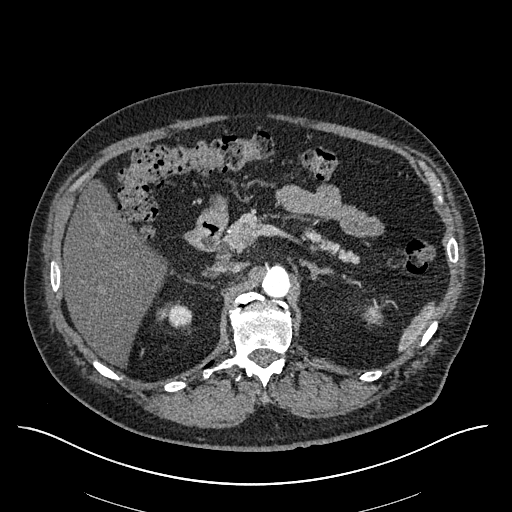
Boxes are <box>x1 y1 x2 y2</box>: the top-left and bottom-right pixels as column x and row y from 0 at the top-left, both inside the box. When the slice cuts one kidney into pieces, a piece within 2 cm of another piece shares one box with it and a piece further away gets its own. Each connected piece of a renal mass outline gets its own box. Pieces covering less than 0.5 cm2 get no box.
Arterial-phase contrast-enhanced abdominal CT, axial slice 402 of 670 (counted from the lowest slice); 1.00 mm thick, 0.861 mm per pixel. Right kidney: <box>162 301 190 327</box> (outlined area 545 px, about 4.0 cm2). No renal mass outline on this slice.
Scan settings: 120 kVp, I30f reconstruction kernel.